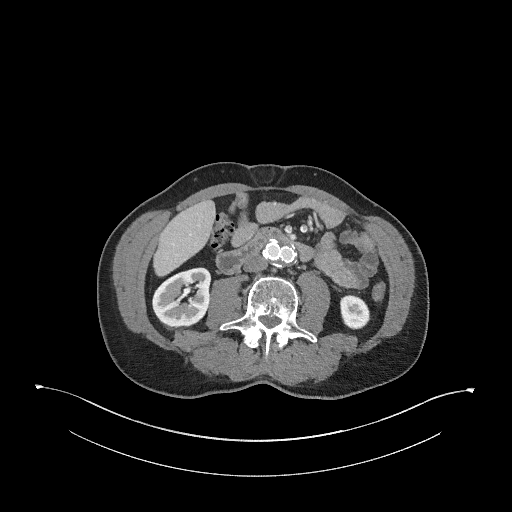
Abdominal CT with intravenous contrast, arterial phase, axial plane, 120 kVp, kernel I31f. Slice 136/345 from the bottom of the scan; thickness 2.00 mm; pixel size 0.977 mm.
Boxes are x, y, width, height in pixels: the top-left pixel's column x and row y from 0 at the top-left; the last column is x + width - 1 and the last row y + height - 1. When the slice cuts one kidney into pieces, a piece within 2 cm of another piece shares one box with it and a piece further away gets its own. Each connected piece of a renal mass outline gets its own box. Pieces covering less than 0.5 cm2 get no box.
Two kidney boxes on this slice; by box centre, from the image's left to its right: (1) Box x 151, y 267, width 61, height 63: right kidney (outlined area 2,808 px, about 26.8 cm2). (2) Left kidney, box x 339, y 294, width 32, height 36 (outlined area 864 px, about 8.2 cm2). No renal mass outline on this slice.